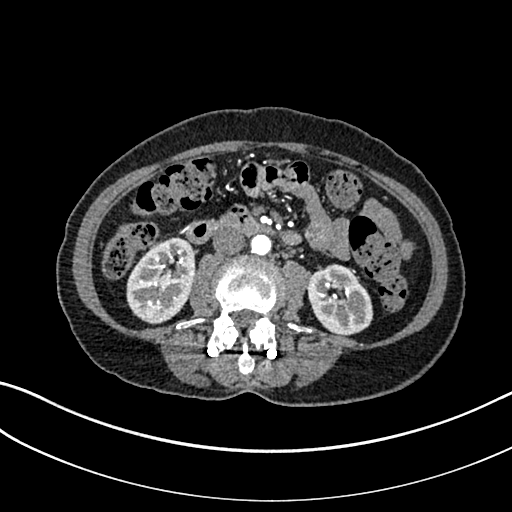
One axial slice (115 of 325, counting up from the lowest) of an arterial-phase abdominal CT acquired with 100 kVp, kernel I30f; each pixel is 0.703 mm and the slice is 1.00 mm thick.
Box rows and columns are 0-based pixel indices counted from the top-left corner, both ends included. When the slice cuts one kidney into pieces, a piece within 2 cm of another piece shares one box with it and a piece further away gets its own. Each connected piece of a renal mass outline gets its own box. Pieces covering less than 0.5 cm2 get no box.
Two kidney boxes on this slice; by box centre, from the image's left to its right: (1) Right kidney, box rows 237–324, columns 126–195 (outlined area 4,503 px, about 22.3 cm2). (2) Box rows 264–334, columns 307–373: left kidney (outlined area 3,490 px, about 17.3 cm2). This slice carries no renal mass outline.